One axial slice (82 of 285, counting up from the lowest) of an arterial-phase abdominal CT acquired with 120 kVp, kernel B31f; each pixel is 0.762 mm and the slice is 2.00 mm thick.
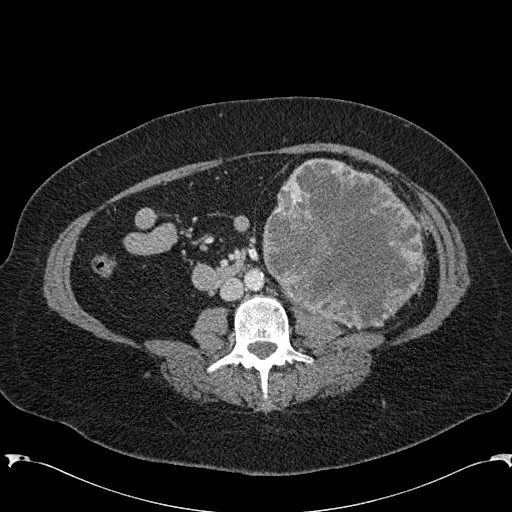
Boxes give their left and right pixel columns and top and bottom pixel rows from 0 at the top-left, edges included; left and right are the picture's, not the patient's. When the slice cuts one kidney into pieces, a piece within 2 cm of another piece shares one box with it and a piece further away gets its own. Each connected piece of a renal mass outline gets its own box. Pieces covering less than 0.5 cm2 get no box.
Left renal mass, the box with left 262, top 158, right 424, bottom 329 (outlined area 20,680 px, about 120.0 cm2); no kidney outline appears on this slice, but the same outlined renal mass comes within 1 cm of the kidney on another slice.